Contrast-enhanced abdominal CT, axial slice 528 of 787 (counted from the lowest slice); tube voltage 140 kVp, convolution kernel I30f; slices 1.00 mm thick, 0.910 mm per pixel.
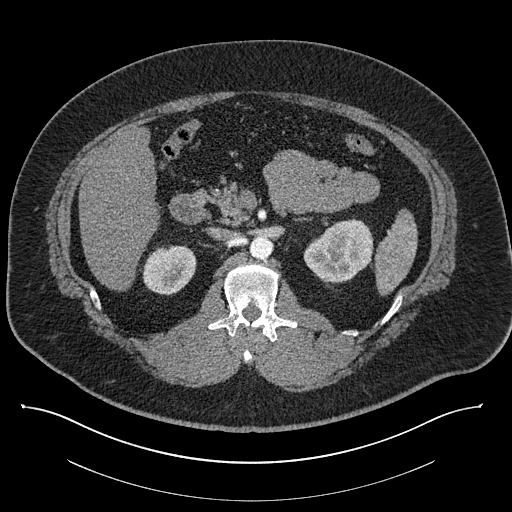
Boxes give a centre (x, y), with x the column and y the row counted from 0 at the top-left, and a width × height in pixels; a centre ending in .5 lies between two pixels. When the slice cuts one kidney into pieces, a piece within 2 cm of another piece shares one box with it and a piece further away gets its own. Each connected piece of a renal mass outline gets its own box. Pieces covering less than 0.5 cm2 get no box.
Boxed on this slice (two kidney boxes), listed by box centre from the image's left to its right: (1) Right kidney, box centre (169, 270), 55 × 51 pixels (outlined area 2,145 px, about 17.8 cm2). (2) Box centre (338, 250.5), 71 × 64 pixels: left kidney (outlined area 3,294 px, about 27.3 cm2). This slice carries no renal mass outline.